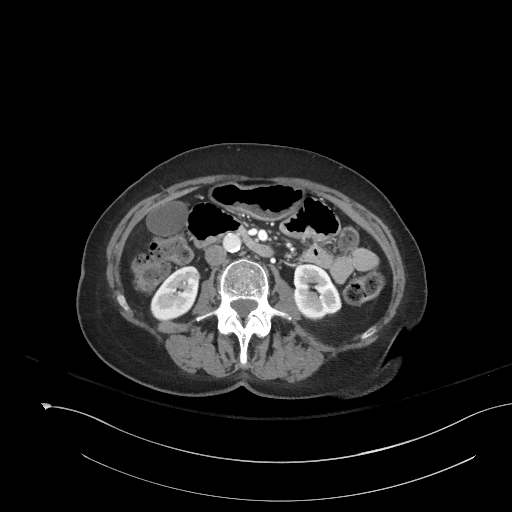
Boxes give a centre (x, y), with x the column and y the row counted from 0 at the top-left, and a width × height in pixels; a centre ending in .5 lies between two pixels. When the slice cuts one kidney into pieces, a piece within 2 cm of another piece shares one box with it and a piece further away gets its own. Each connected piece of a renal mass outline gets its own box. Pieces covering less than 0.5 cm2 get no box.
This is axial slice 89 of 153 (slice 1 is the lowest) of an abdominal CT with contrast; each pixel is 0.893 mm and the slice is 3.00 mm thick. Two boxes on this slice (two kidney boxes), listed by box centre from the image's left to its right. (1) Right kidney, box centre (175, 292), 51 × 55 pixels (outlined area 1,936 px, about 15.4 cm2). (2) Left kidney in a box with centre (317, 291.5), 49 × 58 pixels (outlined area 2,119 px, about 16.9 cm2). No renal mass is outlined on this slice.
Scan settings: 120 kVp, I41f reconstruction kernel.